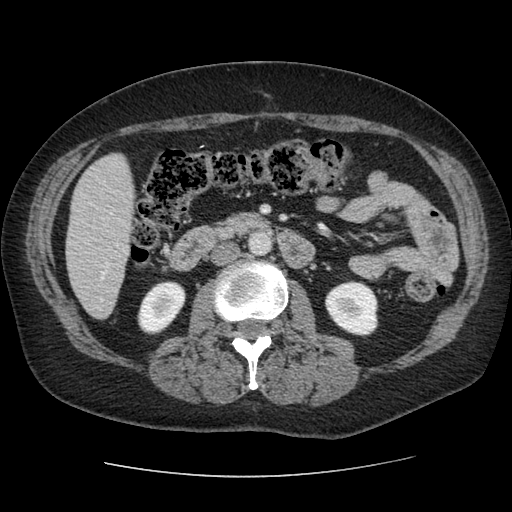
Abdominal CT with intravenous contrast, arterial phase, axial plane, 120 kVp, kernel STANDARD. Slice 36/96 from the bottom of the scan; thickness 2.50 mm; pixel size 0.689 mm.
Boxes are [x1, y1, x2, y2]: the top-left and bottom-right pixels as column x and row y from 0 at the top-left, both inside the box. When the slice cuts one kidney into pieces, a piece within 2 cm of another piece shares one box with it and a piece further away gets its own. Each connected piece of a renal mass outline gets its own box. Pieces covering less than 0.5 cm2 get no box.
Two kidney boxes on this slice; by box centre, from the image's left to its right: (1) Right kidney, box [137, 281, 185, 334] (outlined area 1,883 px, about 9.0 cm2). (2) Left kidney at [325, 280, 378, 336] (outlined area 2,335 px, about 11.1 cm2). No renal mass is outlined on this slice.